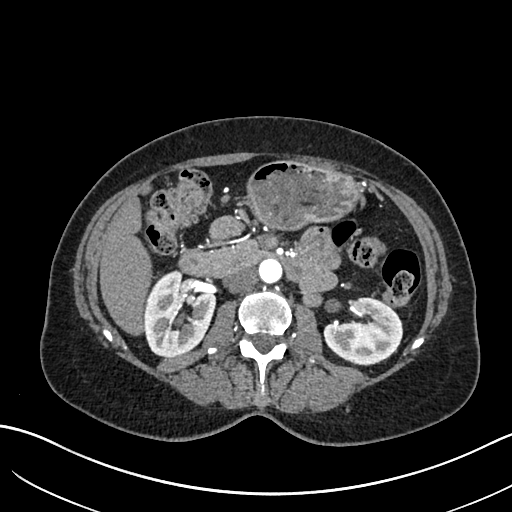
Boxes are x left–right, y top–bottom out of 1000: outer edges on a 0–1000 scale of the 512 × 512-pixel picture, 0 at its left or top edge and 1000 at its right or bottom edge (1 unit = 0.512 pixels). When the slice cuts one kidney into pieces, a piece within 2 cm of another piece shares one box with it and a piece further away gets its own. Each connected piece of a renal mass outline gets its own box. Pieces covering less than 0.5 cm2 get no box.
Slice 367/683 of a contrast-enhanced abdominal CT in the arterial phase, counting up from the lowest; pixel size 0.738 mm, slice thickness 1.00 mm. Boxed on this slice (two kidney boxes), listed by box centre from the image's left to its right: (1) Right kidney, box x 279–424, y 527–699 out of 1000 (outlined area 4,721 px, about 25.7 cm2). (2) Left kidney at x 631–789, y 578–713 out of 1000 (outlined area 3,772 px, about 20.6 cm2). This slice carries no renal mass outline.
Acquired at 120 kVp and reconstructed with the I30f kernel.